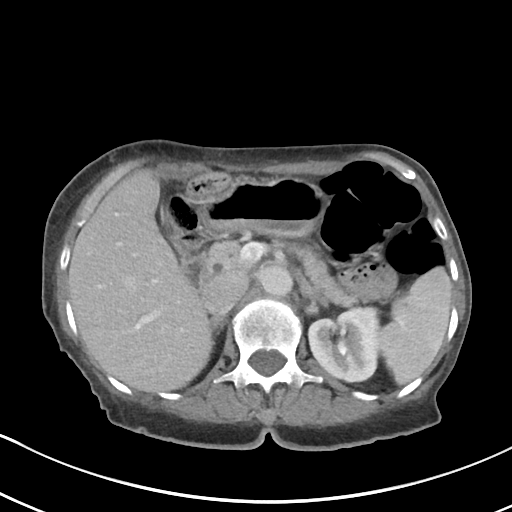
Axial slice 64 of 80 of a contrast-enhanced abdominal CT in the arterial phase (slice 1 is the lowest), 100 kVp, kernel I40f; 5.00 mm slice thickness and 0.648 mm pixels.
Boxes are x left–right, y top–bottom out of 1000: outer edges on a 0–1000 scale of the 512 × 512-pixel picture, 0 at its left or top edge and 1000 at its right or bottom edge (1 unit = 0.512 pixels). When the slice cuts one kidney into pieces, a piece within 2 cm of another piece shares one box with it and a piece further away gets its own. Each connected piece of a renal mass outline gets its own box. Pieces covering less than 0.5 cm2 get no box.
Box x 602–738, y 600–748 out of 1000: left kidney (outlined area 3,994 px, about 16.8 cm2). This slice carries no renal mass outline.